Axial slice 43 of 96 of a contrast-enhanced abdominal CT in the arterial phase (slice 1 is the lowest), 120 kVp, kernel STANDARD; 2.50 mm slice thickness and 0.689 mm pixels.
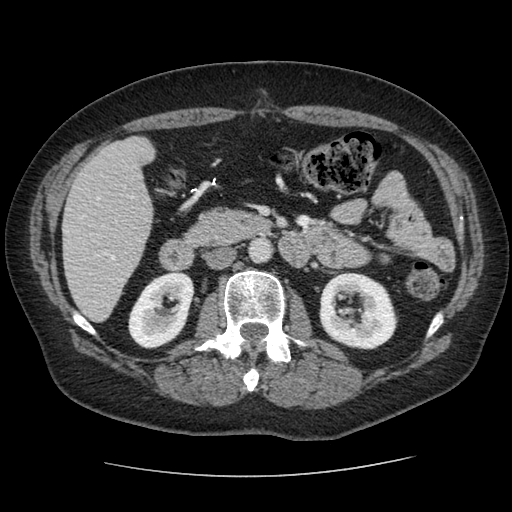
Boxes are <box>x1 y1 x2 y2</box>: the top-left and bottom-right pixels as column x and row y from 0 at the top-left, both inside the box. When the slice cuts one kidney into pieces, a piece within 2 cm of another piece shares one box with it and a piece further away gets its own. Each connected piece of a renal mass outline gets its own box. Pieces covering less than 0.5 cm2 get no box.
Two kidney boxes on this slice; by box centre, from the image's left to its right: (1) At <box>128 270 194 348</box>: right kidney (outlined area 3,699 px, about 17.6 cm2). (2) At <box>319 272 397 349</box>: left kidney (outlined area 4,657 px, about 22.1 cm2). This slice carries no renal mass outline.